Arterial-phase contrast-enhanced abdominal CT, axial slice 170 of 285 (counted from the lowest slice); tube voltage 120 kVp, convolution kernel B31f; slices 2.00 mm thick, 0.762 mm per pixel.
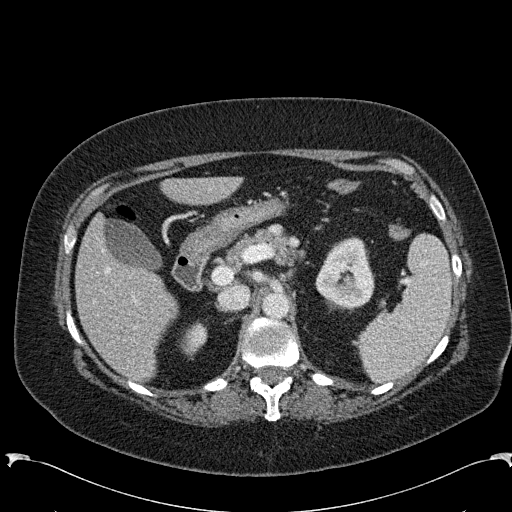
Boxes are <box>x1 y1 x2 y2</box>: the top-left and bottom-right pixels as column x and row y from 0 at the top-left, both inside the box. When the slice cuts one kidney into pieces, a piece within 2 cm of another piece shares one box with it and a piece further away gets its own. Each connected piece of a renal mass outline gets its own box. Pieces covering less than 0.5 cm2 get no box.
Two kidney boxes on this slice; by box centre, from the image's left to its right: (1) At <box>180 321 207 359</box>: right kidney (outlined area 669 px, about 3.9 cm2). (2) At <box>315 236 374 309</box>: left kidney (outlined area 3,188 px, about 18.5 cm2). No renal mass outline on this slice.